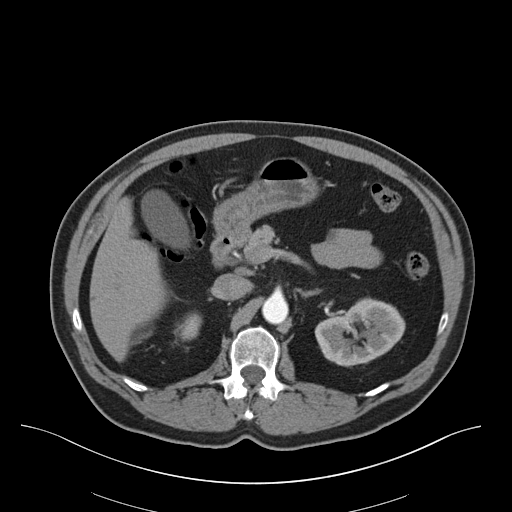
Abdominal CT with intravenous contrast, axial plane, 140 kVp, kernel B30f. Slice 41/75 from the bottom of the scan; thickness 3.00 mm; pixel size 0.875 mm.
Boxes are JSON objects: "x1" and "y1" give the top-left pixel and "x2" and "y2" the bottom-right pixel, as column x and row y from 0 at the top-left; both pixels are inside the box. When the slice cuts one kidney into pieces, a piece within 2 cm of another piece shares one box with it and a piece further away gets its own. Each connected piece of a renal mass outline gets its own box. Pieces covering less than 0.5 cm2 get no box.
Boxed on this slice (two kidney boxes), listed by box centre from the image's left to its right: (1) Right kidney at {"x1": 174, "y1": 313, "x2": 201, "y2": 341} (outlined area 532 px, about 4.1 cm2). (2) Box {"x1": 314, "y1": 297, "x2": 405, "y2": 366}: left kidney (outlined area 4,258 px, about 32.6 cm2). No renal mass is outlined on this slice.